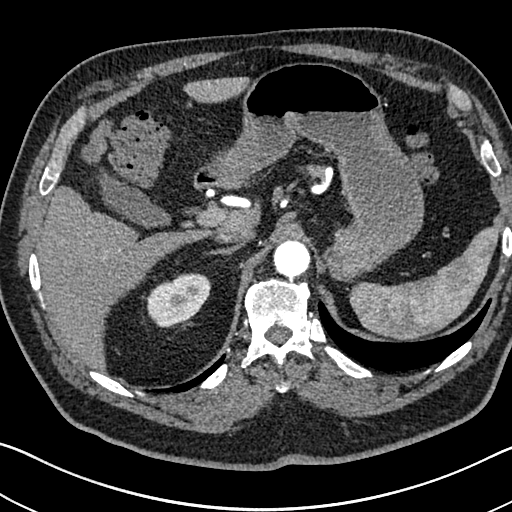
Abdominal CT with intravenous contrast, arterial phase, axial plane, 120 kVp, kernel I30f. Slice 545/705 from the bottom of the scan; thickness 1.00 mm; pixel size 0.703 mm.
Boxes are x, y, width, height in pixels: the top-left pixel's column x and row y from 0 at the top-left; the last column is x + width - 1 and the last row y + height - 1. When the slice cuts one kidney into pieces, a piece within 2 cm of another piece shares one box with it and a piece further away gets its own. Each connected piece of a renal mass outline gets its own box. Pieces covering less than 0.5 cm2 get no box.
Box x 145, y 273, width 66, height 55: right kidney (outlined area 2,527 px, about 12.5 cm2). No renal mass is outlined on this slice.